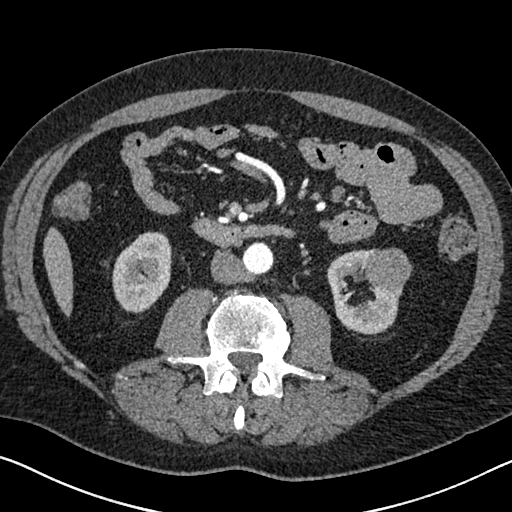
Abdominal CT with intravenous contrast, arterial phase, axial plane, 120 kVp, kernel I30f. Slice 325/626 from the bottom of the scan; thickness 1.00 mm; pixel size 0.703 mm.
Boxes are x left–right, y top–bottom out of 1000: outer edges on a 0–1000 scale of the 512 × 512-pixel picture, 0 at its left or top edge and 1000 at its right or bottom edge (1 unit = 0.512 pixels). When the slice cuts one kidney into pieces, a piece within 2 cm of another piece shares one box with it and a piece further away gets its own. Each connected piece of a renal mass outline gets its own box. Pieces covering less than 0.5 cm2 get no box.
Three boxes on this slice (two kidney boxes and one renal mass box), listed by box centre from the image's left to its right. (1) Right kidney at x 219–336, y 451–613 out of 1000 (outlined area 3,712 px, about 18.4 cm2). (2) Left kidney, box x 637–787, y 484–654 out of 1000 (outlined area 3,546 px, about 17.5 cm2). (3) Left renal mass, box x 711–807, y 482–570 out of 1000 (outlined area 1,635 px, about 8.1 cm2).